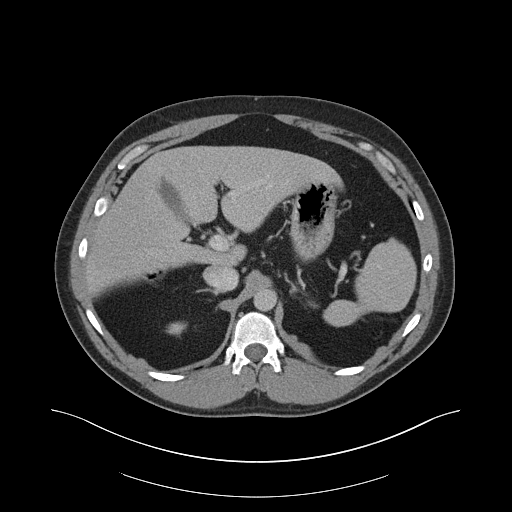
Abdominal CT with intravenous contrast, arterial phase, axial plane, 140 kVp, kernel B30f. Slice 130/159 from the bottom of the scan; thickness 3.00 mm; pixel size 0.977 mm.
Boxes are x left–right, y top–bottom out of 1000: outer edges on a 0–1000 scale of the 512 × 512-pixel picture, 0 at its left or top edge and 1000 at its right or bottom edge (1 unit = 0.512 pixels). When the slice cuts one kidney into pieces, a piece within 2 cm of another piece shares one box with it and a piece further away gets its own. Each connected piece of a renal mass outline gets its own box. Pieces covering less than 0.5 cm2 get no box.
Box x 324–365, y 629–656 out of 1000: right kidney (outlined area 214 px, about 2.0 cm2). No renal mass outline on this slice.